Abdominal CT with intravenous contrast, arterial phase, axial plane, 100 kVp, kernel I40f. Slice 37/234 from the bottom of the scan; thickness 2.00 mm; pixel size 0.699 mm.
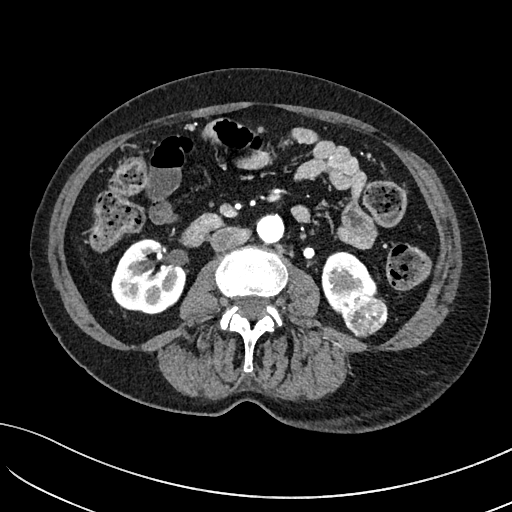
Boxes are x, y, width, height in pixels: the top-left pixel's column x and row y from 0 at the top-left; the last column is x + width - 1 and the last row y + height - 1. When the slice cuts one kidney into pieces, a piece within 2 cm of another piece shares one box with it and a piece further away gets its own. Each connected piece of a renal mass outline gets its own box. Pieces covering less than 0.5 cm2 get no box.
Three boxes on this slice (two kidney boxes and one renal mass box), listed by box centre from the image's left to its right. (1) Right kidney, box x 111, y 238, width 76, height 77 (outlined area 4,220 px, about 20.6 cm2). (2) Left kidney, box x 321, y 251, width 57, height 63 (outlined area 2,035 px, about 9.9 cm2). (3) Left renal mass at x 339, y 293, width 49, height 45 (outlined area 1,716 px, about 8.4 cm2).